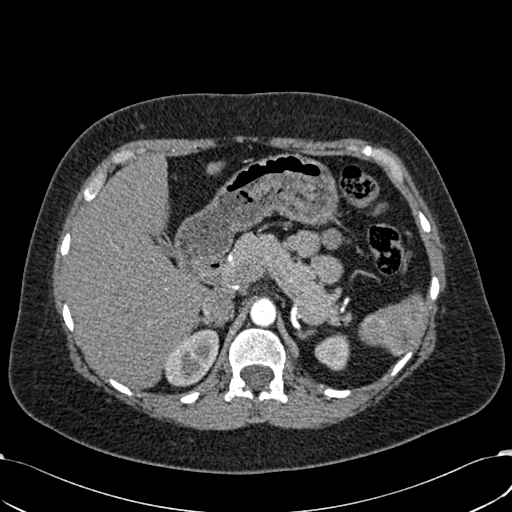
Arterial-phase contrast-enhanced abdominal CT, axial slice 442 of 532 (counted from the lowest slice); tube voltage 120 kVp, convolution kernel B30f; slices 1.00 mm thick, 0.713 mm per pixel.
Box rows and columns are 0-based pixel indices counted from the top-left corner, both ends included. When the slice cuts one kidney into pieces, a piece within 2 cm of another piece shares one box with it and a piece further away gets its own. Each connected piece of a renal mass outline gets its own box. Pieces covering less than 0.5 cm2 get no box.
Boxed on this slice (two kidney boxes), listed by box centre from the image's left to its right: (1) Right kidney at rows 329–386, columns 164–219 (outlined area 2,280 px, about 11.6 cm2). (2) Box rows 333–370, columns 314–349: left kidney (outlined area 987 px, about 5.0 cm2). No renal mass outline on this slice.